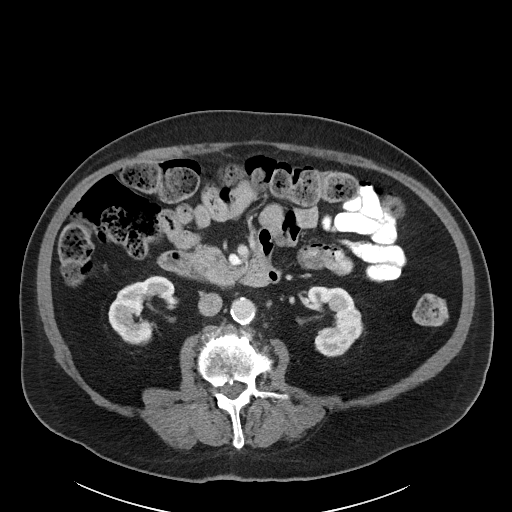
Arterial-phase contrast-enhanced abdominal CT, axial slice 57 of 89 (counted from the lowest slice); tube voltage 100 kVp, convolution kernel I40f; slices 5.00 mm thick, 0.885 mm per pixel.
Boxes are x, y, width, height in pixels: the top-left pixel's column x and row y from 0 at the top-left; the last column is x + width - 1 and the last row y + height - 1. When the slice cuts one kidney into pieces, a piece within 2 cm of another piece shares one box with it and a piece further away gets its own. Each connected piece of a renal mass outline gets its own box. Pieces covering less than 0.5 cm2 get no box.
Boxed on this slice (two kidney boxes), listed by box centre from the image's left to its right: (1) Right kidney, box x 108, y 275, width 67, height 70 (outlined area 2,803 px, about 21.9 cm2). (2) Box x 306, y 286, width 58, height 72: left kidney (outlined area 2,752 px, about 21.5 cm2). This slice carries no renal mass outline.